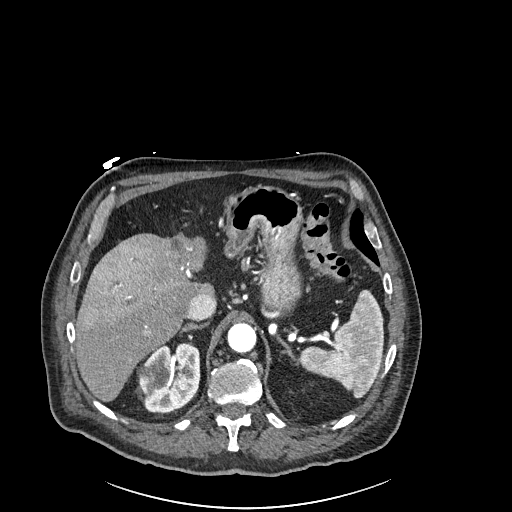
Arterial-phase contrast-enhanced abdominal CT, axial slice 175 of 261 (counted from the lowest slice); tube voltage 120 kVp, convolution kernel I30f; slices 2.00 mm thick, 0.939 mm per pixel.
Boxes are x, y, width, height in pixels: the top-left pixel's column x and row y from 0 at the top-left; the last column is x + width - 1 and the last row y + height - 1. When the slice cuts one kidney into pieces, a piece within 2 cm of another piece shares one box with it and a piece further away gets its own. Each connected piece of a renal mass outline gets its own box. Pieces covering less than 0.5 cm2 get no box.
Box x 137, y 342, width 64, height 71: right kidney (outlined area 3,462 px, about 30.6 cm2). No renal mass is outlined on this slice.